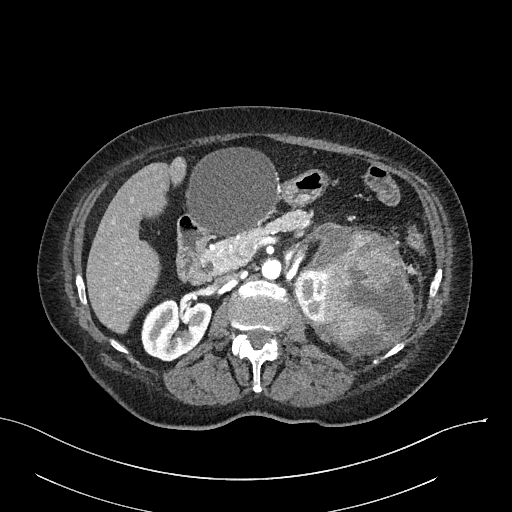
Arterial-phase contrast-enhanced abdominal CT, axial slice 151 of 316 (counted from the lowest slice); tube voltage 100 kVp, convolution kernel I40f; slices 2.00 mm thick, 0.840 mm per pixel.
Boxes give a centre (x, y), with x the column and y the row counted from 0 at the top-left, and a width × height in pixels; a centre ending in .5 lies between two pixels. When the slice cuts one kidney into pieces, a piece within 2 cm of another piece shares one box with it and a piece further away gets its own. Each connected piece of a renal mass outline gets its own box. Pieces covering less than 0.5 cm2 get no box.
Boxed on this slice (two kidney boxes and one renal mass box), listed by box centre from the image's left to its right: (1) Box centre (176, 329.5), 71 × 64 pixels: right kidney (outlined area 3,334 px, about 23.5 cm2). (2) Box centre (310, 295), 33 × 53 pixels: left kidney (outlined area 1,346 px, about 9.5 cm2). (3) Left renal mass, box centre (359.5, 289), 112 × 135 pixels (outlined area 10,434 px, about 73.6 cm2).